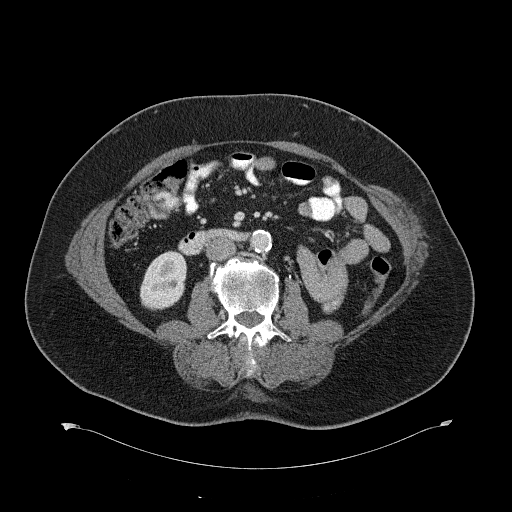
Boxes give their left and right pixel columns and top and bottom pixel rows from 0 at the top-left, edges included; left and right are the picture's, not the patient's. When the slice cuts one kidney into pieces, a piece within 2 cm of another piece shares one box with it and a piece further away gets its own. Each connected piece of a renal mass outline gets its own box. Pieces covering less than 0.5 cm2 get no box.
Contrast-enhanced abdominal CT, axial slice 321 of 734 (counted from the lowest slice); 2.00 mm thick, 0.971 mm per pixel. Box with left 139, top 250, right 187, bottom 310: right kidney (outlined area 2,164 px, about 20.4 cm2). This slice carries no renal mass outline.
Acquired at 120 kVp and reconstructed with the B31f kernel.